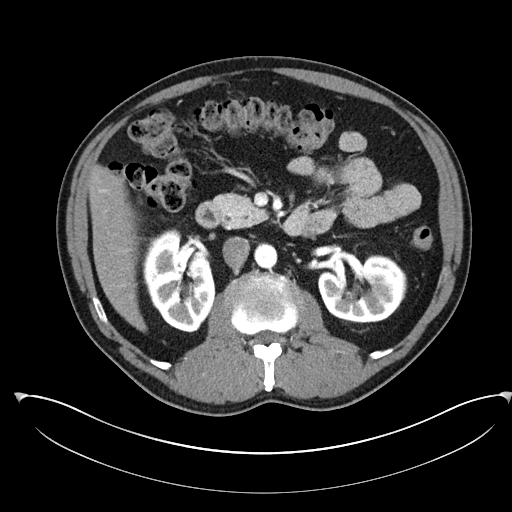
Abdominal CT with intravenous contrast, arterial phase, axial plane, 100 kVp, kernel I30f. Slice 141/302 from the bottom of the scan; thickness 5.00 mm; pixel size 0.875 mm.
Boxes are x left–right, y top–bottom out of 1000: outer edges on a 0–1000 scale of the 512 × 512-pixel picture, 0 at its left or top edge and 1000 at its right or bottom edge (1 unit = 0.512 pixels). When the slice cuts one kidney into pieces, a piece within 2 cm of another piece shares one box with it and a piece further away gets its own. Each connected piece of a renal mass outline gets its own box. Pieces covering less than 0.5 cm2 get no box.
Two boxes on this slice (two kidney boxes), listed by box centre from the image's left to its right. (1) Right kidney, box x 279–422, y 447–650 out of 1000 (outlined area 5,425 px, about 41.5 cm2). (2) Box x 621–797, y 496–633 out of 1000: left kidney (outlined area 4,627 px, about 35.4 cm2). This slice carries no renal mass outline.